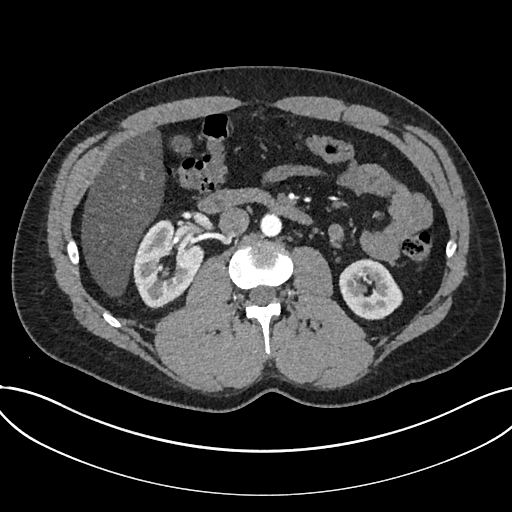
One axial slice (397 of 735, counting up from the lowest) of an arterial-phase abdominal CT acquired with 120 kVp, kernel I30f; each pixel is 0.789 mm and the slice is 1.00 mm thick.
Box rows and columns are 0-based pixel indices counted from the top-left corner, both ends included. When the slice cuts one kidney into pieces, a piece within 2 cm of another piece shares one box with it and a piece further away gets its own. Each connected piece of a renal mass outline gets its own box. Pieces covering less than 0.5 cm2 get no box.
Boxed on this slice (two kidney boxes), listed by box centre from the image's left to its right: (1) Kidney, box rows 219–308, columns 133–203 (outlined area 4,236 px, about 26.4 cm2). (2) Kidney at rows 257–320, columns 339–403 (outlined area 2,871 px, about 17.9 cm2). No renal mass outline on this slice.